Axial slice 288 of 626 of a contrast-enhanced abdominal CT in the arterial phase (slice 1 is the lowest), 120 kVp, kernel I30f; 1.00 mm slice thickness and 0.703 mm pixels.
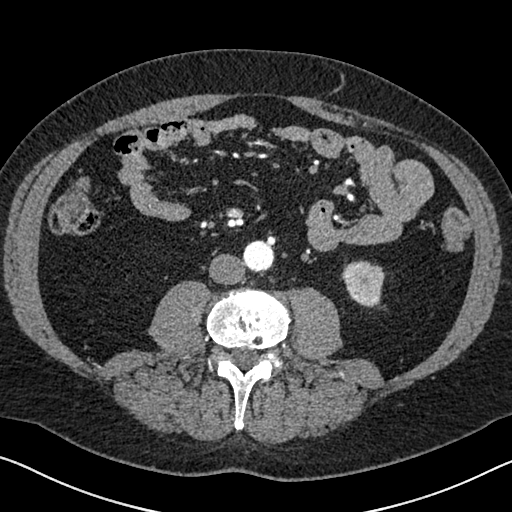
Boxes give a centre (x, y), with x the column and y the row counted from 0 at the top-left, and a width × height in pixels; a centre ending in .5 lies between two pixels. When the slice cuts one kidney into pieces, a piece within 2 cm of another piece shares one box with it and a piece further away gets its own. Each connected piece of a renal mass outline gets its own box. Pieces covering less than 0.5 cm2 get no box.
Left kidney in a box with centre (363.5, 283.5), 44 × 48 pixels (outlined area 1,550 px, about 7.7 cm2). This slice carries no renal mass outline.